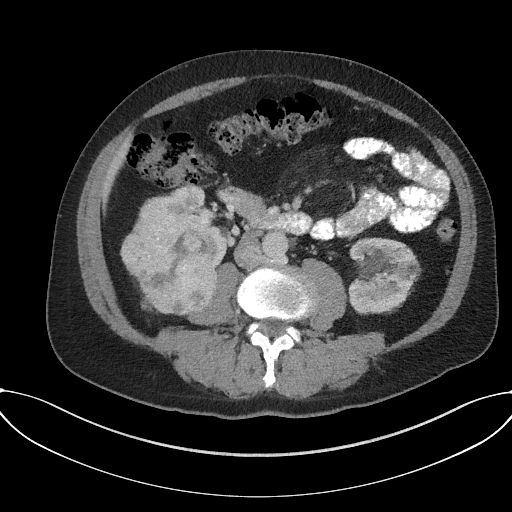
Abdominal CT with intravenous contrast, arterial phase, axial plane, 120 kVp, kernel I31f. Slice 83/227 from the bottom of the scan; thickness 3.00 mm; pixel size 0.816 mm.
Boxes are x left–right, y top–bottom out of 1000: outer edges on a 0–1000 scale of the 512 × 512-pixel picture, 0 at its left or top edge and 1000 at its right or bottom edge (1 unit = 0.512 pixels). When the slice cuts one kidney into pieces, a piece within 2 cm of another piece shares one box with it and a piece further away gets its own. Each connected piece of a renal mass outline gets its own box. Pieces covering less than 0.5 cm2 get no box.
Three boxes on this slice (two kidney boxes and one renal mass box), listed by box centre from the image's left to its right. (1) Right renal mass at x 234–430, y 379–617 out of 1000 (outlined area 8,779 px, about 58.5 cm2). (2) Right kidney at x 330–443, y 361–523 out of 1000 (outlined area 1,298 px, about 8.7 cm2). (3) Left kidney at x 680–824, y 465–615 out of 1000 (outlined area 4,468 px, about 29.8 cm2).